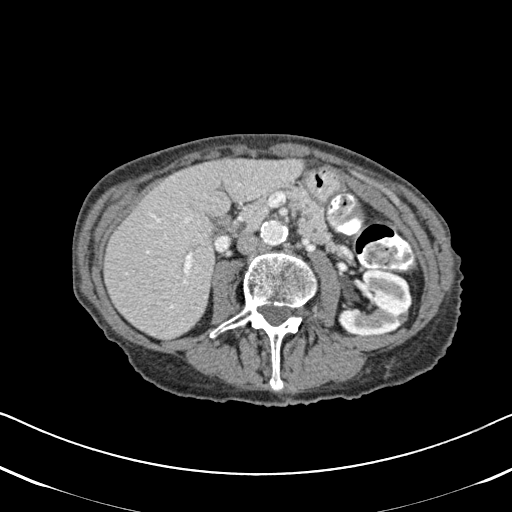
Axial slice 286 of 620 of a contrast-enhanced abdominal CT in the arterial phase (slice 1 is the lowest), 120 kVp, kernel B31f; 2.00 mm slice thickness and 0.637 mm pixels.
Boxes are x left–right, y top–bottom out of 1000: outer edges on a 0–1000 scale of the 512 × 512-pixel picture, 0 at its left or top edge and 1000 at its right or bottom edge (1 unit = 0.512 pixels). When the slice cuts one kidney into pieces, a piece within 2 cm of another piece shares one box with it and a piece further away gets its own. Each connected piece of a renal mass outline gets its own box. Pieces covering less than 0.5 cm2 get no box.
Box x 660–807, y 525–656 out of 1000: left kidney (outlined area 3,542 px, about 14.4 cm2). This slice carries no renal mass outline.